One axial slice (122 of 269, counting up from the lowest) of a contrast-enhanced abdominal CT acquired with 100 kVp, kernel I30f; each pixel is 0.732 mm and the slice is 5.00 mm thick.
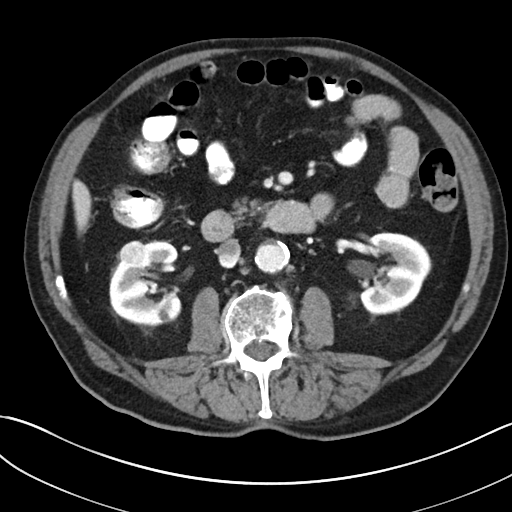
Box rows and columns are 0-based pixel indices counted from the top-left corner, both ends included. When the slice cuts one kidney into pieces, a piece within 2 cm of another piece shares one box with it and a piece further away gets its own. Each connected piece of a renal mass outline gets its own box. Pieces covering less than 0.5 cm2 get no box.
Two kidney boxes and one renal mass box on this slice; by box centre, from the image's left to its right: (1) Right renal mass, box rows 240–266, columns 120–147 (outlined area 587 px, about 3.1 cm2). (2) Right kidney at rows 241–323, columns 109–181 (outlined area 4,239 px, about 22.7 cm2). (3) Left kidney, box rows 232–317, columns 358–431 (outlined area 4,470 px, about 24.0 cm2).